Axial slice 272 of 670 of a contrast-enhanced abdominal CT in the arterial phase (slice 1 is the lowest), 120 kVp, kernel I30f; 1.00 mm slice thickness and 0.861 mm pixels.
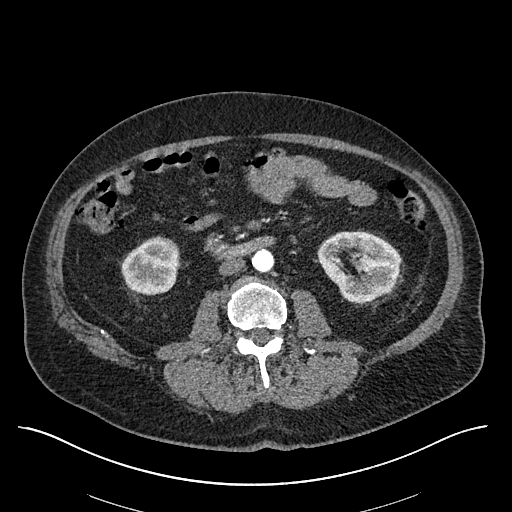
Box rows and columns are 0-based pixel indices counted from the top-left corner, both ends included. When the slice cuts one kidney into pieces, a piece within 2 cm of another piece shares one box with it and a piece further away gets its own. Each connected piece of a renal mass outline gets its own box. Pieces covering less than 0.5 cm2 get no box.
Two boxes on this slice (two kidney boxes), listed by box centre from the image's left to its right. (1) Right kidney at rows 236–294, columns 121–178 (outlined area 2,689 px, about 19.9 cm2). (2) Left kidney, box rows 231–302, columns 317–400 (outlined area 4,296 px, about 31.9 cm2). No renal mass outline on this slice.